Contrast-enhanced abdominal CT, axial slice 14 of 43 (counted from the lowest slice); tube voltage 120 kVp, convolution kernel B31f; slices 5.00 mm thick, 0.701 mm per pixel.
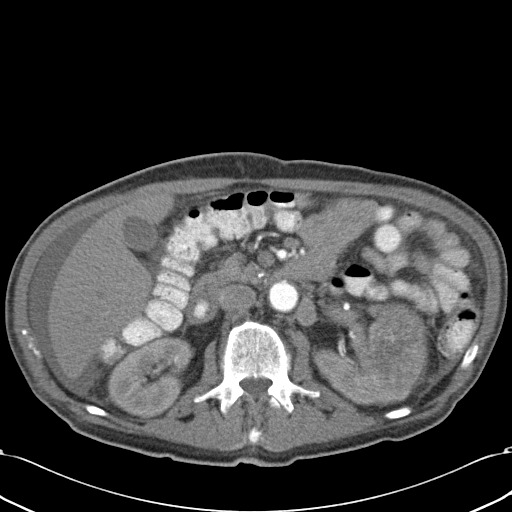
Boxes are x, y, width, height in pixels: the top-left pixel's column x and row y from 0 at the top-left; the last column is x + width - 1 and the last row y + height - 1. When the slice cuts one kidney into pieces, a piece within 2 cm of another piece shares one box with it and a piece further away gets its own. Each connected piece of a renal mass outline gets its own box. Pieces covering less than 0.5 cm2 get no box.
Two kidney boxes and one renal mass box on this slice; by box centre, from the image's left to its right: (1) Right kidney at x 109, y 336, width 86, height 83 (outlined area 5,005 px, about 24.6 cm2). (2) Left kidney, box x 313, y 308, width 116, height 98 (outlined area 5,591 px, about 27.5 cm2). (3) Box x 365, y 303, width 63, height 69: left renal mass (outlined area 2,891 px, about 14.2 cm2).